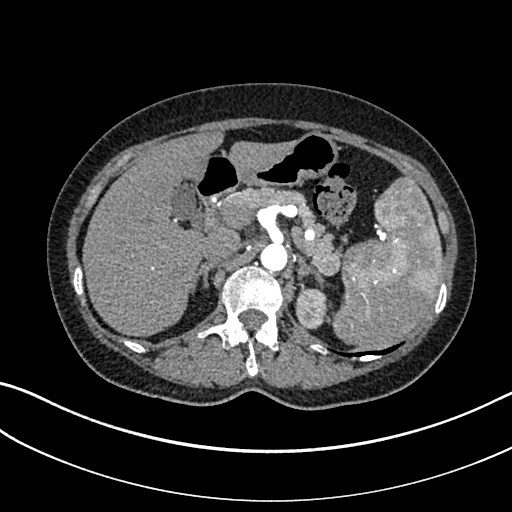
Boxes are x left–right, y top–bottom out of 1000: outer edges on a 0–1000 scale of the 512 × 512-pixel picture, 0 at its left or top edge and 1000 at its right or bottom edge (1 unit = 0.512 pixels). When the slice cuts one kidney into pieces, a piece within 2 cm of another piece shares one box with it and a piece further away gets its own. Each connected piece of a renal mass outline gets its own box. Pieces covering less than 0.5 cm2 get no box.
Slice 245/325 of a contrast-enhanced abdominal CT in the arterial phase, counting up from the lowest; pixel size 0.703 mm, slice thickness 1.00 mm. Left kidney, box x 576–641, y 563–645 out of 1000 (outlined area 1,096 px, about 5.4 cm2).
Acquired at 100 kVp and reconstructed with the I30f kernel.